One axial slice (49 of 90, counting up from the lowest) of an arterial-phase abdominal CT acquired with 100 kVp, kernel I40f; each pixel is 0.703 mm and the slice is 5.00 mm thick.
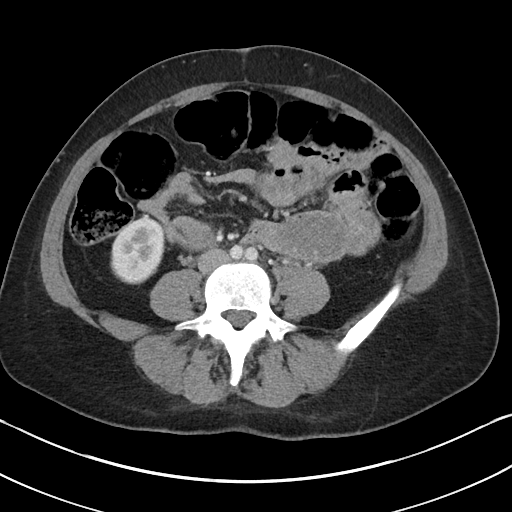
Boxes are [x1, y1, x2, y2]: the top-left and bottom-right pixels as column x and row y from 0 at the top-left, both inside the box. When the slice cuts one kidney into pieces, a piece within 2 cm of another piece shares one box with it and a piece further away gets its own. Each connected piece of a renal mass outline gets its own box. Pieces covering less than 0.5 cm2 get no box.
Right kidney, box [110, 217, 165, 284] (outlined area 2,864 px, about 14.2 cm2). No renal mass is outlined on this slice.